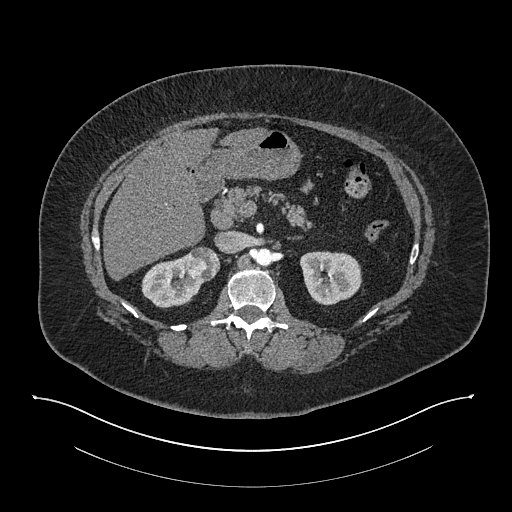
Abdominal CT with intravenous contrast, arterial phase, axial plane, 140 kVp, kernel I30f. Slice 518/673 from the bottom of the scan; thickness 1.00 mm; pixel size 0.957 mm.
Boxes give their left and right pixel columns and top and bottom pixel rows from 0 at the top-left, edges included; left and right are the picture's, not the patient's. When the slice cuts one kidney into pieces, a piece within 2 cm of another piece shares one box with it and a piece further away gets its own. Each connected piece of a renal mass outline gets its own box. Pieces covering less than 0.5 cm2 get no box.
Boxed on this slice (two kidney boxes and one renal mass box), listed by box centre from the image's left to its right: (1) Right kidney, the box with left 141, top 254, right 204, bottom 308 (outlined area 2,167 px, about 19.8 cm2). (2) Box with left 187, top 246, right 220, bottom 281: right renal mass (outlined area 951 px, about 8.7 cm2). (3) Left kidney, the box with left 299, top 251, right 362, bottom 305 (outlined area 2,676 px, about 24.5 cm2).